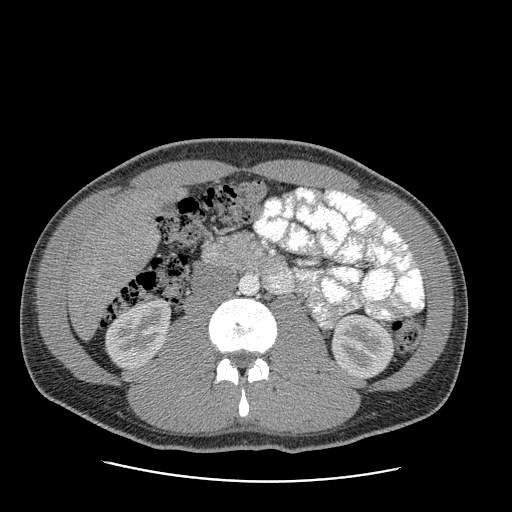
Axial slice 137 of 199 of a contrast-enhanced abdominal CT in the arterial phase (slice 1 is the lowest), 120 kVp, kernel STANDARD; 2.50 mm slice thickness and 0.789 mm pixels.
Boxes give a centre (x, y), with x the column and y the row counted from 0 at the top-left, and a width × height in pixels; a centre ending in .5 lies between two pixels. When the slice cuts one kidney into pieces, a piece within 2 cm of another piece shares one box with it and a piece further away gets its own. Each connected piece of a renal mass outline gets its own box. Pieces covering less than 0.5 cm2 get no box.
Two boxes on this slice (two kidney boxes), listed by box centre from the image's left to its right. (1) Right kidney, box centre (137, 332.5), 67 × 72 pixels (outlined area 3,438 px, about 21.4 cm2). (2) Left kidney, box centre (362.5, 345.5), 64 × 64 pixels (outlined area 3,164 px, about 19.7 cm2). No renal mass outline on this slice.